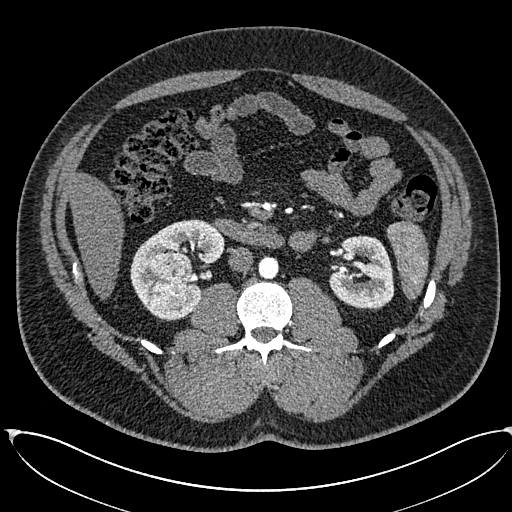
Axial slice 320 of 673 of a contrast-enhanced abdominal CT in the arterial phase (slice 1 is the lowest), 120 kVp, kernel I30f; 1.00 mm slice thickness and 0.855 mm pixels.
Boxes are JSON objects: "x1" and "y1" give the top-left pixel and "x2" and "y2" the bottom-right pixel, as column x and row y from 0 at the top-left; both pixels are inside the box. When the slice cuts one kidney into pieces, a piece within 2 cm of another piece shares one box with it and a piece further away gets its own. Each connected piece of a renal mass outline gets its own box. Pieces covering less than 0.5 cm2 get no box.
Boxed on this slice (two kidney boxes and one renal mass box), listed by box centre from the image's left to its right: (1) Right renal mass, box {"x1": 149, "y1": 252, "x2": 192, "y2": 309} (outlined area 2,113 px, about 15.5 cm2). (2) Right kidney, box {"x1": 130, "y1": 219, "x2": 224, "y2": 320} (outlined area 4,476 px, about 32.8 cm2). (3) Left kidney at {"x1": 328, "y1": 235, "x2": 394, "y2": 309} (outlined area 3,715 px, about 27.2 cm2).